Axial slice 189 of 233 of a contrast-enhanced abdominal CT in the arterial phase (slice 1 is the lowest), 120 kVp, kernel STANDARD; 1.25 mm slice thickness and 0.703 mm pixels.
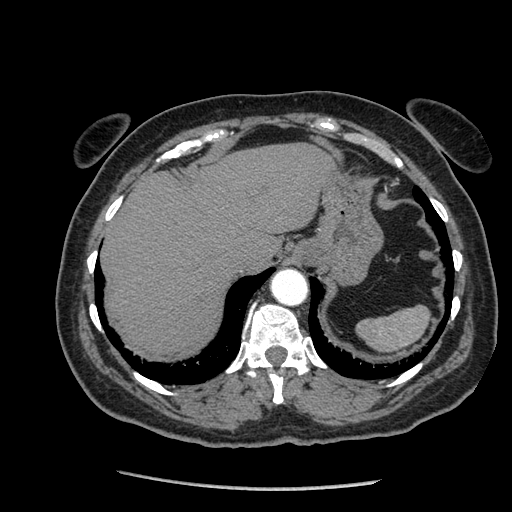
Neither a kidney nor a renal mass is outlined here. Only kidneys and renal masses are outlined anywhere in this scan; other structures are never outlined.